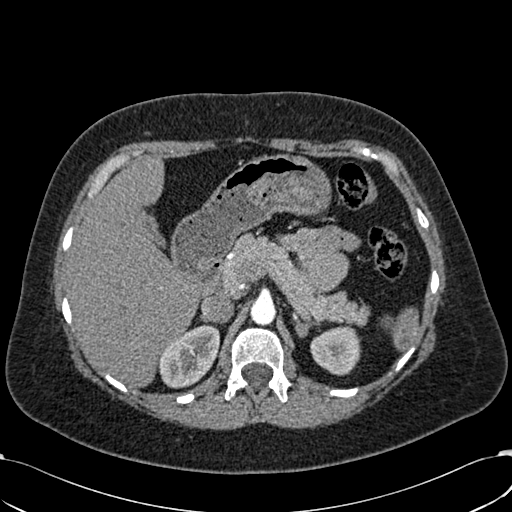
Abdominal CT with intravenous contrast, arterial phase, axial plane, 120 kVp, kernel B30f. Slice 434/532 from the bottom of the scan; thickness 1.00 mm; pixel size 0.713 mm.
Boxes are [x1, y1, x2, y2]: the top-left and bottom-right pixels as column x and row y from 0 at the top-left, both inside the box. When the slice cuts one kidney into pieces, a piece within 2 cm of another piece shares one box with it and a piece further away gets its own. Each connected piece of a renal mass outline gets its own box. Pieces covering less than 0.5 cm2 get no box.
Boxed on this slice (two kidney boxes), listed by box centre from the image's left to its right: (1) Box [158, 324, 219, 388]: right kidney (outlined area 2,824 px, about 14.4 cm2). (2) Left kidney at [310, 325, 361, 375] (outlined area 1,933 px, about 9.8 cm2). No renal mass is outlined on this slice.